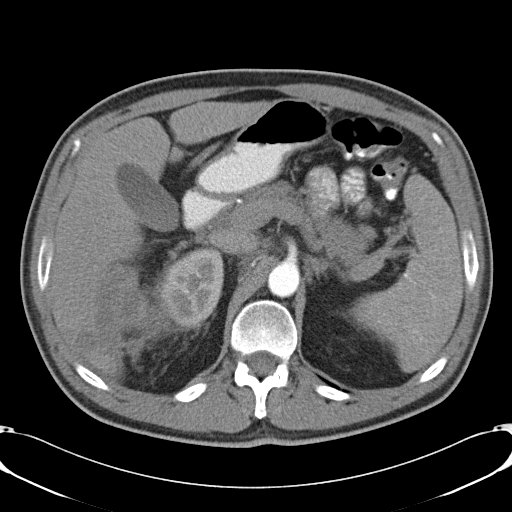
Contrast-enhanced abdominal CT, axial slice 34 of 57 (counted from the lowest slice); tube voltage 120 kVp, convolution kernel B31f; slices 5.00 mm thick, 0.732 mm per pixel.
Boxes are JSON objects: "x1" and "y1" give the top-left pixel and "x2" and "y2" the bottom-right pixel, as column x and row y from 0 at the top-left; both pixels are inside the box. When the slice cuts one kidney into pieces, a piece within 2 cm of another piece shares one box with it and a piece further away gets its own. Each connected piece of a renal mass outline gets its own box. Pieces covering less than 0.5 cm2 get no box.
One kidney box and one renal mass box on this slice; by box centre, from the image's left to its right: (1) Right renal mass, box {"x1": 94, "y1": 263, "x2": 165, "y2": 347} (outlined area 4,271 px, about 22.9 cm2). (2) Right kidney, box {"x1": 161, "y1": 247, "x2": 224, "y2": 324} (outlined area 3,887 px, about 20.9 cm2).